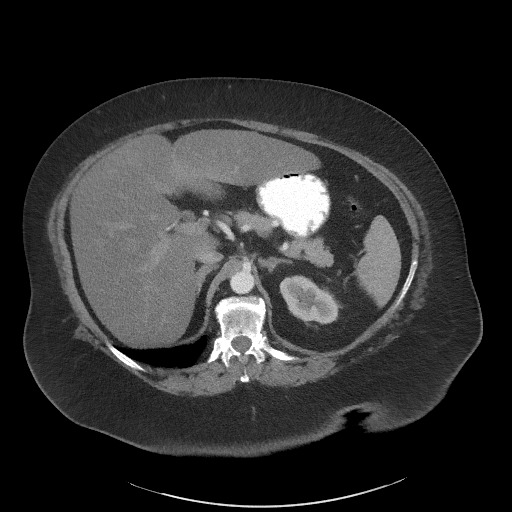
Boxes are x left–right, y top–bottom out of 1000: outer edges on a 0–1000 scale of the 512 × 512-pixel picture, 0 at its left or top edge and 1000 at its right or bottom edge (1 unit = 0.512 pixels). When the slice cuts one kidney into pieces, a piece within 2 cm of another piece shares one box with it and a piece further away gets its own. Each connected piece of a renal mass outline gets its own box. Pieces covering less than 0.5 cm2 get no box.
Arterial-phase contrast-enhanced abdominal CT, axial slice 50 of 61 (counted from the lowest slice); 3.00 mm thick, 0.947 mm per pixel. Left kidney at x 545–664, y 537–635 out of 1000 (outlined area 2,120 px, about 19.0 cm2). No renal mass outline on this slice.
Acquired at 140 kVp and reconstructed with the I41f kernel.